Arterial-phase contrast-enhanced abdominal CT, axial slice 68 of 80 (counted from the lowest slice); tube voltage 100 kVp, convolution kernel I40f; slices 5.00 mm thick, 0.648 mm per pixel.
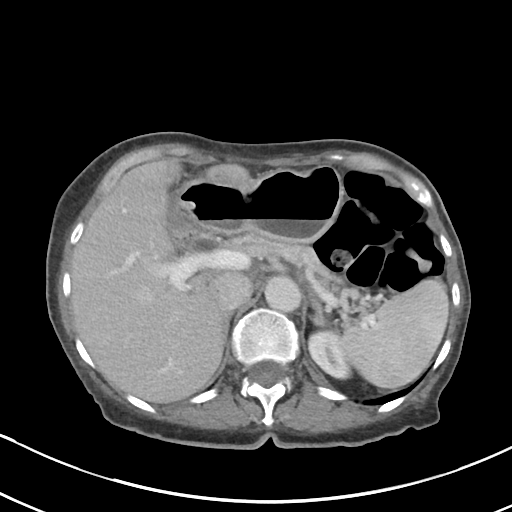
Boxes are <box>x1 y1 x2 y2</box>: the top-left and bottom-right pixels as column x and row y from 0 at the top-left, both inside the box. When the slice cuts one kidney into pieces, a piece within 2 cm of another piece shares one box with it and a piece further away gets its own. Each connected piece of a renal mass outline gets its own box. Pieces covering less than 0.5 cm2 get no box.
Left kidney at <box>308 331 350 378</box> (outlined area 1,304 px, about 5.5 cm2). No renal mass outline on this slice.